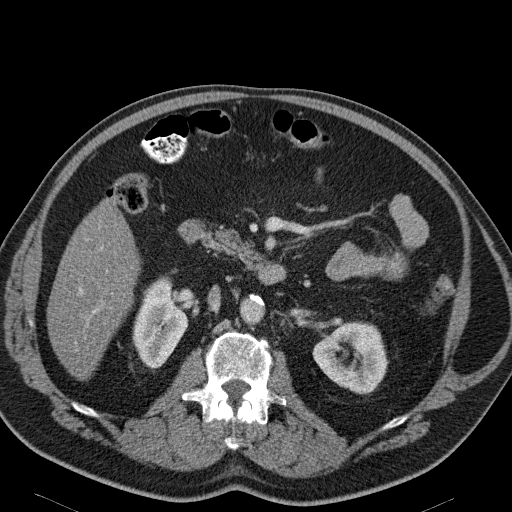
Abdominal CT with intravenous contrast, arterial phase, axial plane, 120 kVp, kernel B31f. Slice 80/114 from the bottom of the scan; thickness 5.00 mm; pixel size 0.781 mm.
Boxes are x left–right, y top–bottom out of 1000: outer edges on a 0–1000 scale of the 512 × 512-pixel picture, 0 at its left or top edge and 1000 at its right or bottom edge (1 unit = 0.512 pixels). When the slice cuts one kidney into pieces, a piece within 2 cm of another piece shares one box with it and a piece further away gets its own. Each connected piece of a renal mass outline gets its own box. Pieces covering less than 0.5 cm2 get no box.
Two boxes on this slice (two kidney boxes), listed by box centre from the image's left to its right. (1) Right kidney, box x 258–369, y 539–721 out of 1000 (outlined area 3,558 px, about 21.7 cm2). (2) Box x 609–758, y 627–771 out of 1000: left kidney (outlined area 3,896 px, about 23.8 cm2). No renal mass is outlined on this slice.